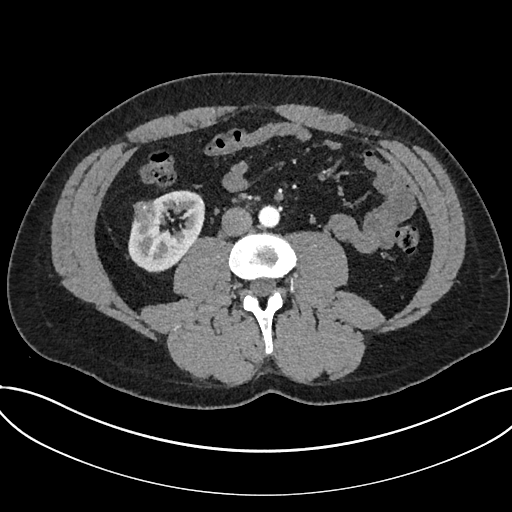
Axial slice 319 of 735 of a contrast-enhanced abdominal CT in the arterial phase (slice 1 is the lowest), 120 kVp, kernel I30f; 1.00 mm slice thickness and 0.789 mm pixels.
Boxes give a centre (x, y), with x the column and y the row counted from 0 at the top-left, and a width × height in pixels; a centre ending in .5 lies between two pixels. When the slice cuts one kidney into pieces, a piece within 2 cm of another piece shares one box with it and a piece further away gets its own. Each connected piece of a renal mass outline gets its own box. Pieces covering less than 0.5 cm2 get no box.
Two boxes on this slice (one kidney box and one renal mass box), listed by box centre from the image's left to its right. (1) Box centre (146, 212.5), 27 × 26 pixels: renal mass (outlined area 537 px, about 3.3 cm2). (2) Box centre (166, 231), 77 × 83 pixels: kidney (outlined area 4,010 px, about 25.0 cm2).